Axial slice 429 of 738 of a contrast-enhanced abdominal CT in the arterial phase (slice 1 is the lowest), 120 kVp, kernel I30f; 1.00 mm slice thickness and 0.789 mm pixels.
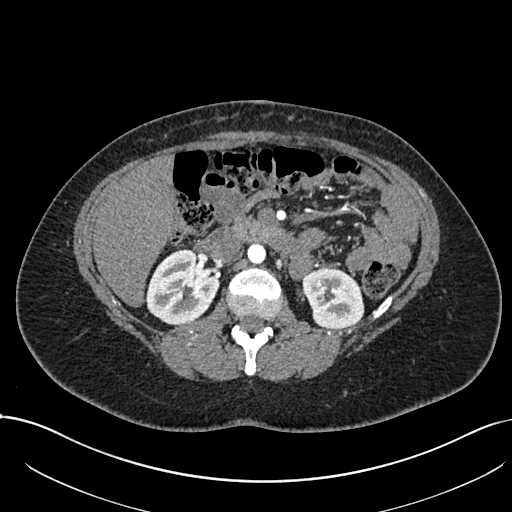
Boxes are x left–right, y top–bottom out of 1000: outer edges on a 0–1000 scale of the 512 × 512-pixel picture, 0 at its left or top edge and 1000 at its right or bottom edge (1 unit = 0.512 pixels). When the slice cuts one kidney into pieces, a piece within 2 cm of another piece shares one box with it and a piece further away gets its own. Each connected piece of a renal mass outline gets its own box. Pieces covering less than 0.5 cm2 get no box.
Two kidney boxes on this slice; by box centre, from the image's left to its right: (1) Right kidney at x 283–430, y 486–635 out of 1000 (outlined area 4,067 px, about 25.3 cm2). (2) Left kidney at x 590–713, y 523–643 out of 1000 (outlined area 2,957 px, about 18.4 cm2). This slice carries no renal mass outline.